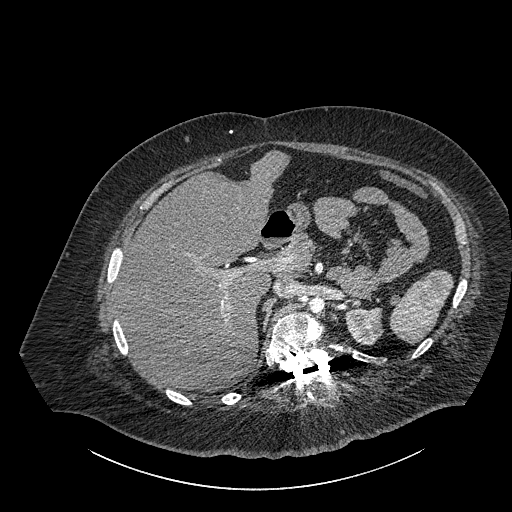
Contrast-enhanced abdominal CT, axial slice 627 of 834 (counted from the lowest slice); tube voltage 140 kVp, convolution kernel I30f; slices 1.00 mm thick, 0.977 mm per pixel.
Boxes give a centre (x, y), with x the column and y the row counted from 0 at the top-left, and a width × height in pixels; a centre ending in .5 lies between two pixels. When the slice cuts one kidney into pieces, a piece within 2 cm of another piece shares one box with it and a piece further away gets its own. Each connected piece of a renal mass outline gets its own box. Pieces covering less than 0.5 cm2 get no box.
Left part of the midline-crossing kidney in a box with centre (364, 326), 41 × 39 pixels (outlined area 1,165 px, about 11.1 cm2). This slice carries no renal mass outline.